Axial slice 387 of 705 of a contrast-enhanced abdominal CT in the arterial phase (slice 1 is the lowest), 120 kVp, kernel I30f; 1.00 mm slice thickness and 0.703 mm pixels.
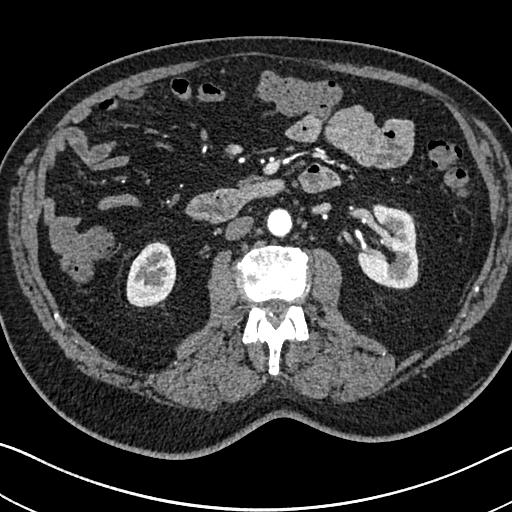
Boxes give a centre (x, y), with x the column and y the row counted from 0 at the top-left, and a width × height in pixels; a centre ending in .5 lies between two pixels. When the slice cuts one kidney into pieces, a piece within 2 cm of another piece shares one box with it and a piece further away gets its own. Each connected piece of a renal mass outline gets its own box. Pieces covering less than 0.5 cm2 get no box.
Two boxes on this slice (two kidney boxes), listed by box centre from the image's left to its right. (1) Right kidney in a box with centre (151, 274), 51 × 67 pixels (outlined area 2,569 px, about 12.7 cm2). (2) Left kidney in a box with centre (387, 246.5), 63 × 86 pixels (outlined area 3,911 px, about 19.3 cm2). No renal mass is outlined on this slice.